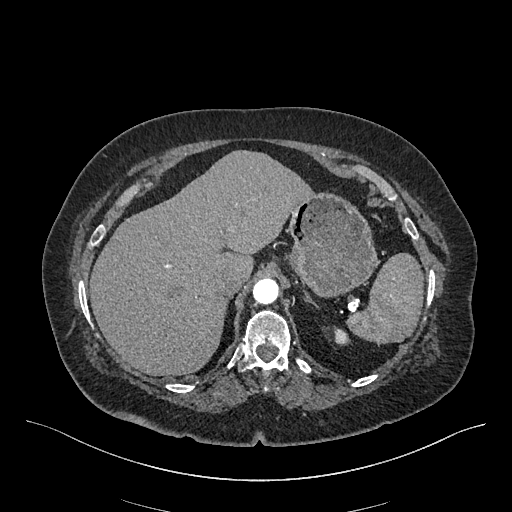
Axial slice 374 of 548 of a contrast-enhanced abdominal CT in the arterial phase (slice 1 is the lowest), 120 kVp, kernel I26f; 1.00 mm slice thickness and 0.852 mm pixels.
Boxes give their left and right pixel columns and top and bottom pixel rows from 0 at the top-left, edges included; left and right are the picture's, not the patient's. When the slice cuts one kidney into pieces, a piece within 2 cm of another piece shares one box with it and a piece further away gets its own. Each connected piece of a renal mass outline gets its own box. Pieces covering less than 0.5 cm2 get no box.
Box with left 334, top 329, right 349, bottom 345: left kidney (outlined area 202 px, about 1.5 cm2). No renal mass outline on this slice.